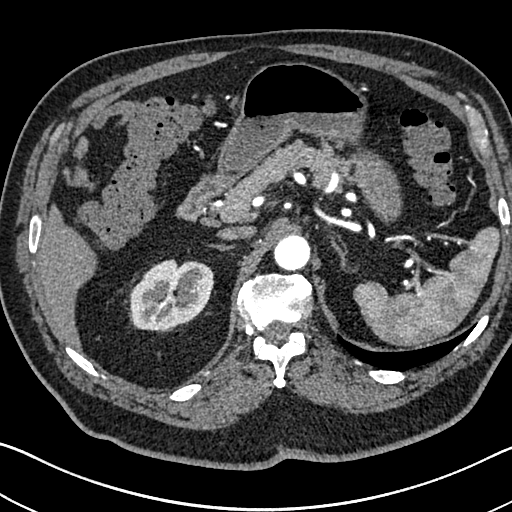
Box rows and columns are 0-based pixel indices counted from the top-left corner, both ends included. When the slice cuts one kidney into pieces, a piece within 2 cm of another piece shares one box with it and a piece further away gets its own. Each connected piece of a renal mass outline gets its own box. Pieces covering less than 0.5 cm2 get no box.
Slice 518/705 of a contrast-enhanced abdominal CT in the arterial phase, counting up from the lowest; pixel size 0.703 mm, slice thickness 1.00 mm. Right kidney at rows 259–330, columns 130–214 (outlined area 4,624 px, about 22.9 cm2). No renal mass is outlined on this slice.
Scan settings: 120 kVp, I30f reconstruction kernel.